Arterial-phase contrast-enhanced abdominal CT, axial slice 163 of 233 (counted from the lowest slice); tube voltage 120 kVp, convolution kernel STANDARD; slices 1.25 mm thick, 0.703 mm per pixel.
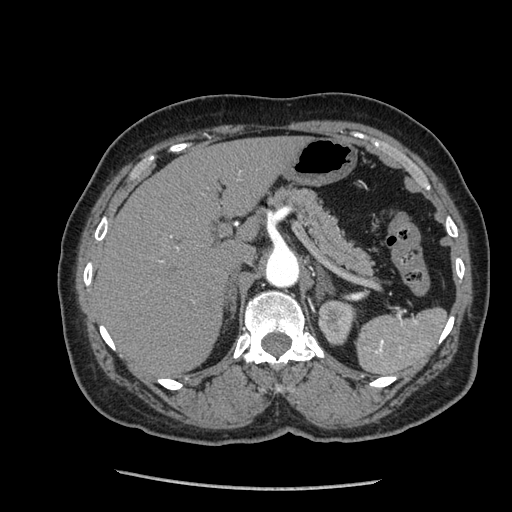
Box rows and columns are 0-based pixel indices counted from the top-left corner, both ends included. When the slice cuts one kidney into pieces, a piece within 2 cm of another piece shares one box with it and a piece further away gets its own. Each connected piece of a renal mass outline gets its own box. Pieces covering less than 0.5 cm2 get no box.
Box rows 300–345, columns 317–356: left kidney (outlined area 1,358 px, about 6.7 cm2). This slice carries no renal mass outline.